Axial slice 40 of 195 of a contrast-enhanced abdominal CT in the arterial phase (slice 1 is the lowest), 100 kVp, kernel I31f; 1.50 mm slice thickness and 0.707 mm pixels.
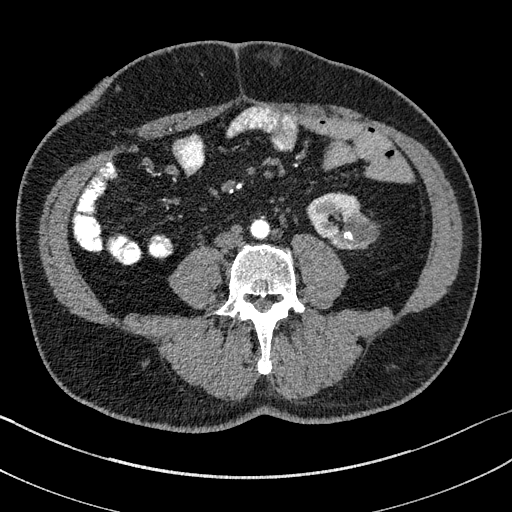
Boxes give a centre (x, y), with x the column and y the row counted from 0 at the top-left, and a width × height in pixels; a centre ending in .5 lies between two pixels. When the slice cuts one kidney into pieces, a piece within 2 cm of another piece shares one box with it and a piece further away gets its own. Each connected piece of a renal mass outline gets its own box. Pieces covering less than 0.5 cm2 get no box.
Left kidney, box centre (341.5, 221), 70 × 57 pixels (outlined area 2,679 px, about 13.4 cm2). No renal mass is outlined on this slice.